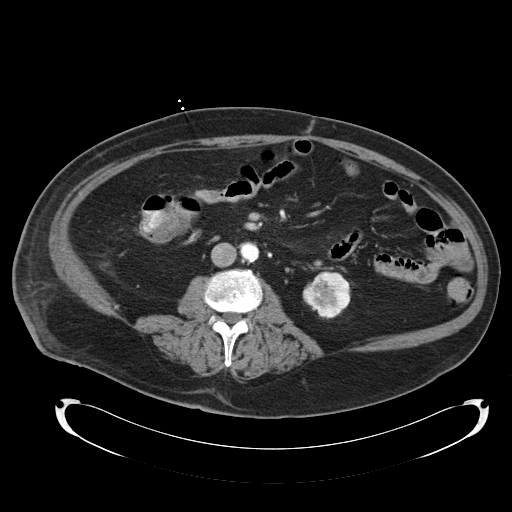
Contrast-enhanced abdominal CT, axial slice 51 of 92 (counted from the lowest slice); tube voltage 120 kVp, convolution kernel B30f; slices 5.00 mm thick, 0.918 mm per pixel.
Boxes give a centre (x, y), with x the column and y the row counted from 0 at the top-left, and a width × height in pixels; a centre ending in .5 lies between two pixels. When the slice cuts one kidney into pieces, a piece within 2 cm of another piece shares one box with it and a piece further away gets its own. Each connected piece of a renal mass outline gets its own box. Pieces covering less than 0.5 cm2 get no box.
Box centre (326, 295.5), 49 × 48 pixels: left kidney (outlined area 1,725 px, about 14.5 cm2). This slice carries no renal mass outline.